Arterial-phase contrast-enhanced abdominal CT, axial slice 31 of 53 (counted from the lowest slice); tube voltage 120 kVp, convolution kernel STANDARD; slices 5.00 mm thick, 0.703 mm per pixel.
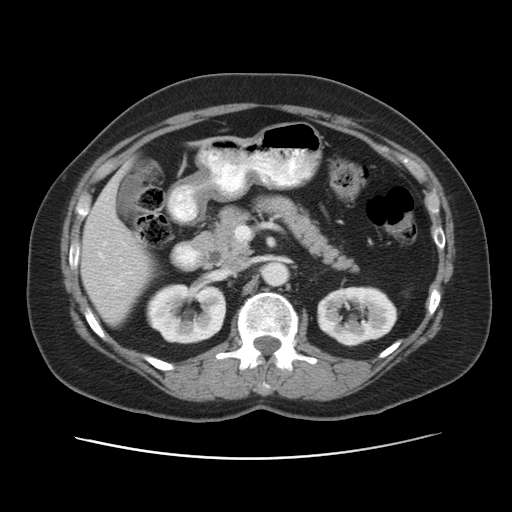
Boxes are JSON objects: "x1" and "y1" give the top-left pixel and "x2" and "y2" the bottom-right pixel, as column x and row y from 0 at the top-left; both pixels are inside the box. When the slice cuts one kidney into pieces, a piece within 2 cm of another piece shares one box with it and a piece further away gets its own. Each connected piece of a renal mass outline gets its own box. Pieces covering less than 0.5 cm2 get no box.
Two kidney boxes on this slice; by box centre, from the image's left to its right: (1) Right kidney at {"x1": 146, "y1": 283, "x2": 226, "y2": 344} (outlined area 3,948 px, about 19.5 cm2). (2) Left kidney at {"x1": 317, "y1": 286, "x2": 397, "y2": 346} (outlined area 3,757 px, about 18.6 cm2). No renal mass outline on this slice.